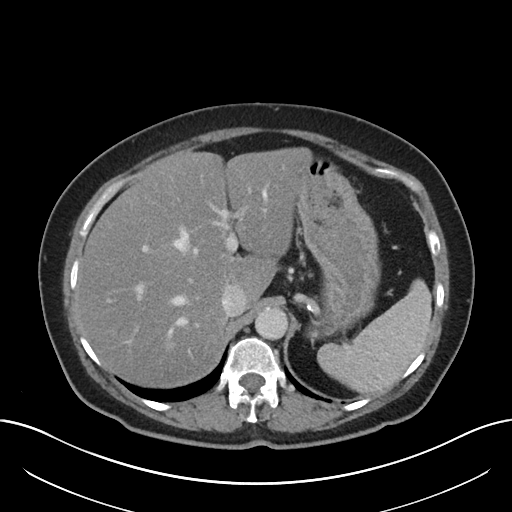
Axial slice 151 of 197 of a contrast-enhanced abdominal CT (slice 1 is the lowest), 120 kVp, kernel I30f; 5.00 mm slice thickness and 0.791 mm pixels.
No kidney and no renal mass is outlined on this slice; the outlines in this scan cover only the kidneys and the renal masses, so nothing is said about any other organ.